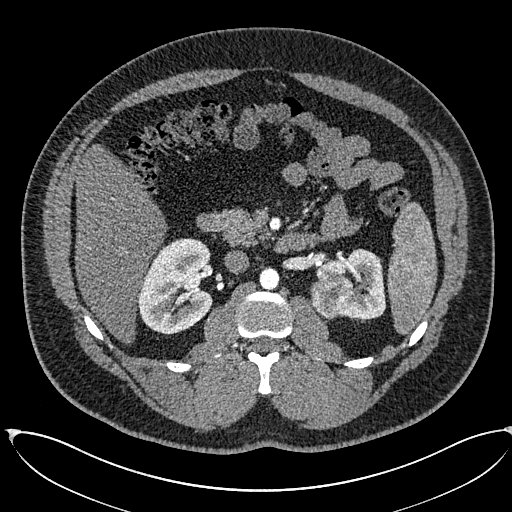
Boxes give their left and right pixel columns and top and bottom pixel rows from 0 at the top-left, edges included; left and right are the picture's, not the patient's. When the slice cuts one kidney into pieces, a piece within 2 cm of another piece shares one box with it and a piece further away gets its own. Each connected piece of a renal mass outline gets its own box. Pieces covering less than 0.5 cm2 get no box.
Slice 368/673 of a contrast-enhanced abdominal CT in the arterial phase, counting up from the lowest; pixel size 0.855 mm, slice thickness 1.00 mm. Boxed on this slice (two kidney boxes and one renal mass box), listed by box centre from the image's left to its right: (1) Box with left 138, top 238, right 213, bottom 334: right kidney (outlined area 5,539 px, about 40.5 cm2). (2) Box with left 310, top 276, right 353, bottom 319: left renal mass (outlined area 1,526 px, about 11.2 cm2). (3) Left kidney, the box with left 316, top 248, right 386, bottom 319 (outlined area 2,845 px, about 20.8 cm2).
Acquired at 120 kVp and reconstructed with the I30f kernel.